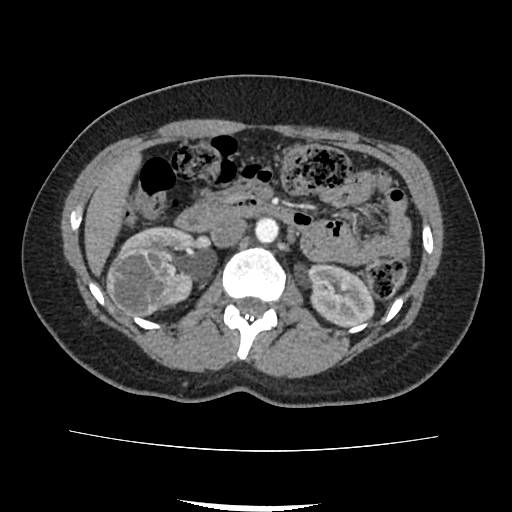
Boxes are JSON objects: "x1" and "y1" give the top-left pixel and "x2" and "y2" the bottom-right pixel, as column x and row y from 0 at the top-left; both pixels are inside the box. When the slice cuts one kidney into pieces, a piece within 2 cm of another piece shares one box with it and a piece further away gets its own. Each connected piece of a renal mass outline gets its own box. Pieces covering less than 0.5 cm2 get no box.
Contrast-enhanced abdominal CT, axial slice 49 of 103 (counted from the lowest slice); 3.00 mm thick, 0.714 mm per pixel. Two kidney boxes and one renal mass box on this slice; by box centre, from the image's left to its right: (1) Right renal mass at {"x1": 106, "y1": 248, "x2": 175, "y2": 316} (outlined area 3,648 px, about 18.6 cm2). (2) Right kidney at {"x1": 119, "y1": 227, "x2": 194, "y2": 309} (outlined area 2,650 px, about 13.5 cm2). (3) Left kidney, box {"x1": 304, "y1": 263, "x2": 374, "y2": 326} (outlined area 3,301 px, about 16.8 cm2).
Scan settings: 120 kVp, FC18 reconstruction kernel.